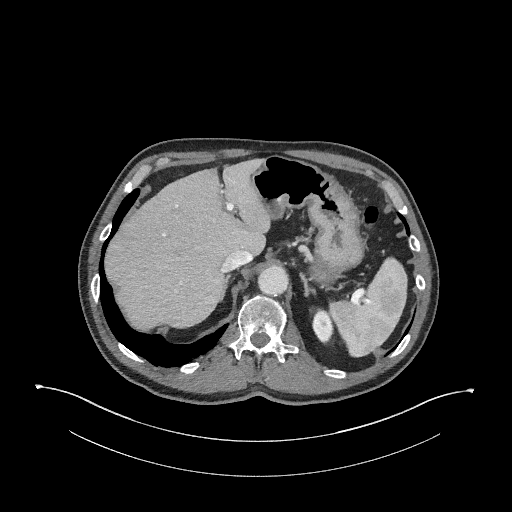
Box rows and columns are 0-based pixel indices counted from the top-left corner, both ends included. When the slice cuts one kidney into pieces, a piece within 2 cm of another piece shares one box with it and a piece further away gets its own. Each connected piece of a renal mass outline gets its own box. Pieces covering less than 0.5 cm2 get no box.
Slice 187/345 of a contrast-enhanced abdominal CT in the arterial phase, counting up from the lowest; pixel size 0.977 mm, slice thickness 2.00 mm. Box rows 307–344, columns 310–335: left kidney (outlined area 660 px, about 6.3 cm2). This slice carries no renal mass outline.
Acquired at 120 kVp and reconstructed with the I31f kernel.